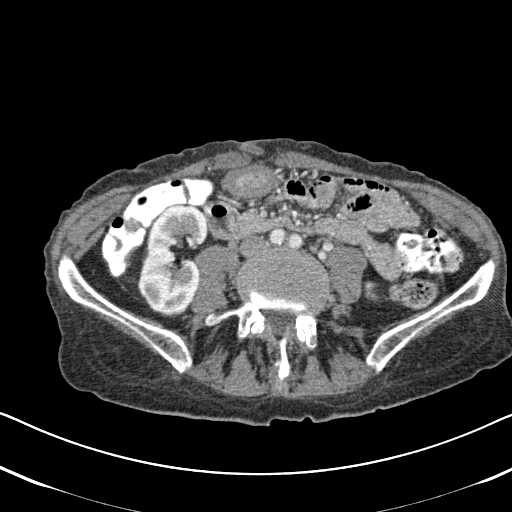
Axial slice 236 of 620 of a contrast-enhanced abdominal CT in the arterial phase (slice 1 is the lowest), 120 kVp, kernel B31f; 2.00 mm slice thickness and 0.637 mm pixels.
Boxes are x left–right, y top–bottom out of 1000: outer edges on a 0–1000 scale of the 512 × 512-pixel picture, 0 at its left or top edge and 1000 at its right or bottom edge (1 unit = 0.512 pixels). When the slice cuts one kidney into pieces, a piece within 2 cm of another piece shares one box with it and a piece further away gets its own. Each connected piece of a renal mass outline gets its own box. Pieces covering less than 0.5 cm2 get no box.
Two kidney boxes on this slice; by box centre, from the image's left to its right: (1) Right kidney at x 266–410, y 398–617 out of 1000 (outlined area 5,819 px, about 23.6 cm2). (2) Box x 709–744, y 549–590 out of 1000: left kidney (outlined area 248 px, about 1.0 cm2). This slice carries no renal mass outline.